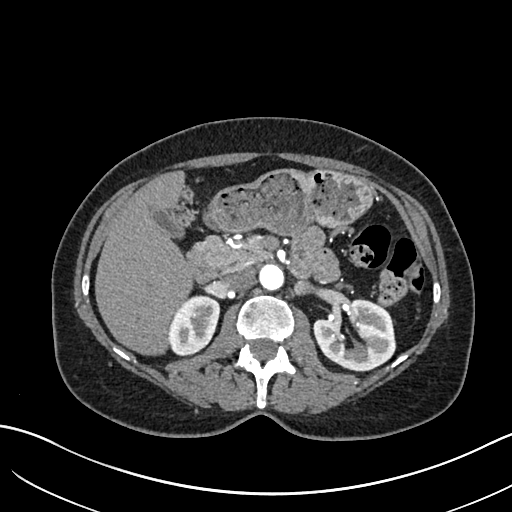
Abdominal CT with intravenous contrast, arterial phase, axial plane, 120 kVp, kernel I30f. Slice 399/683 from the bottom of the scan; thickness 1.00 mm; pixel size 0.738 mm.
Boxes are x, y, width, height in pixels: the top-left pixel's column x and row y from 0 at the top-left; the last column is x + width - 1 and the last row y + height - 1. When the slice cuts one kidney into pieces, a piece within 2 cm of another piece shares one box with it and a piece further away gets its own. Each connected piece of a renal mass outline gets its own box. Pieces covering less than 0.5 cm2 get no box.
Two boxes on this slice (two kidney boxes), listed by box centre from the image's left to its right. (1) Box x 168, y 295, width 53, height 61: right kidney (outlined area 2,306 px, about 12.6 cm2). (2) Left kidney at x 313, y 298, width 84, height 73 (outlined area 4,247 px, about 23.1 cm2). No renal mass is outlined on this slice.